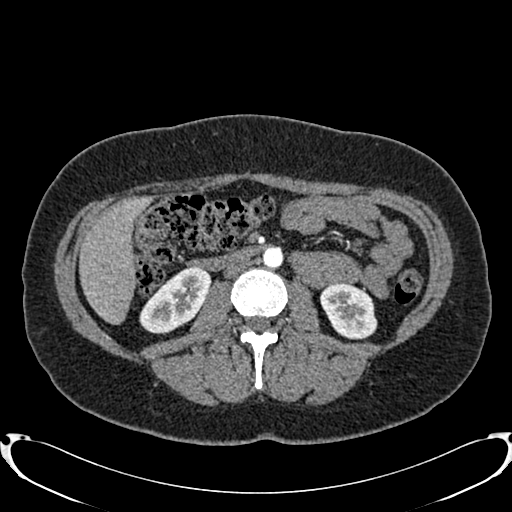
Arterial-phase contrast-enhanced abdominal CT, axial slice 412 of 719 (counted from the lowest slice); tube voltage 120 kVp, convolution kernel B20f; slices 1.00 mm thick, 0.766 mm per pixel.
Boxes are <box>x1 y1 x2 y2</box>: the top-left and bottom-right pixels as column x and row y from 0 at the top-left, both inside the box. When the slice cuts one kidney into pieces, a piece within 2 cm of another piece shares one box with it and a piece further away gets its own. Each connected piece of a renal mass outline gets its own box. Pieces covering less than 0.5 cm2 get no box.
Boxed on this slice (two kidney boxes), listed by box centre from the image's left to its right: (1) Right kidney: <box>139 266 211 334</box> (outlined area 3,056 px, about 17.9 cm2). (2) Left kidney: <box>320 282 377 339</box> (outlined area 2,486 px, about 14.6 cm2). No renal mass outline on this slice.